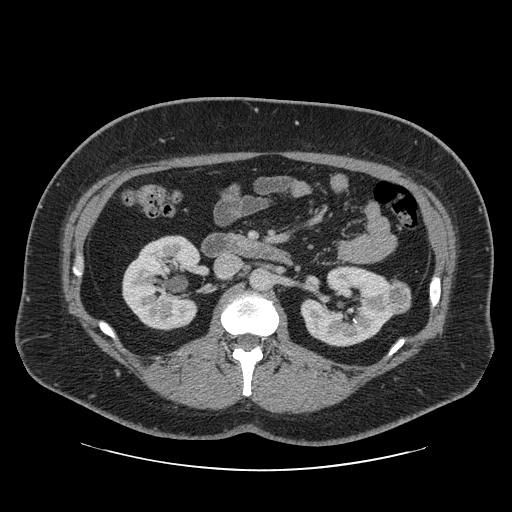
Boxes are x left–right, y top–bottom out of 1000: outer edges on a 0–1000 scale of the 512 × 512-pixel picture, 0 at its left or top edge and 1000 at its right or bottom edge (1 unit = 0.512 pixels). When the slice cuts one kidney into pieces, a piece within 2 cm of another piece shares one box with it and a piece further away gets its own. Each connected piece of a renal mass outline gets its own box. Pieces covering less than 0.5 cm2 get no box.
This is axial slice 34 of 69 (slice 1 is the lowest) of an arterial-phase abdominal CT with contrast; each pixel is 0.846 mm and the slice is 2.50 mm thick. Boxed on this slice (two kidney boxes and one renal mass box), listed by box centre from the image's left to its right: (1) Box x 238–395, y 459–646 out of 1000: right kidney (outlined area 5,664 px, about 40.5 cm2). (2) Left kidney at x 586–773, y 518–678 out of 1000 (outlined area 5,166 px, about 36.9 cm2). (3) Left renal mass, box x 750–805, y 545–615 out of 1000 (outlined area 762 px, about 5.4 cm2).
Scan settings: 120 kVp, STANDARD reconstruction kernel.